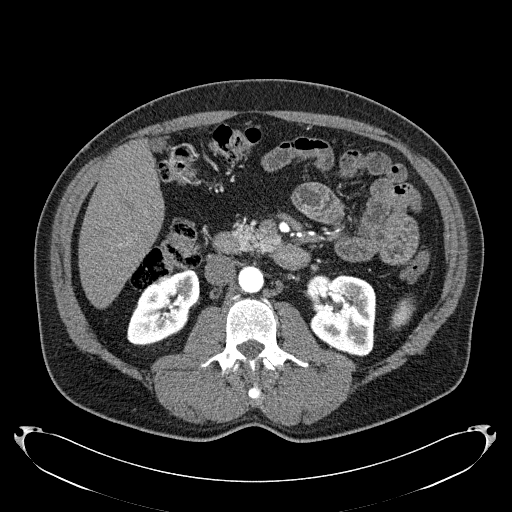
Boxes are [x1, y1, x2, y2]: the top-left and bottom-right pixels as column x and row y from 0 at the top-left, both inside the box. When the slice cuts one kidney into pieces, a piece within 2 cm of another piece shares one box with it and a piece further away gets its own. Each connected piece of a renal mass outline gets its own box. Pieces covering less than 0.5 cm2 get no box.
Arterial-phase contrast-enhanced abdominal CT, axial slice 108 of 279 (counted from the lowest slice); 2.00 mm thick, 0.824 mm per pixel. Boxed on this slice (two kidney boxes), listed by box centre from the image's left to its right: (1) Right kidney, box [127, 267, 199, 345] (outlined area 3,715 px, about 25.2 cm2). (2) Left kidney, box [306, 274, 376, 356] (outlined area 4,589 px, about 31.2 cm2). This slice carries no renal mass outline.
Acquired at 120 kVp and reconstructed with the B31f kernel.